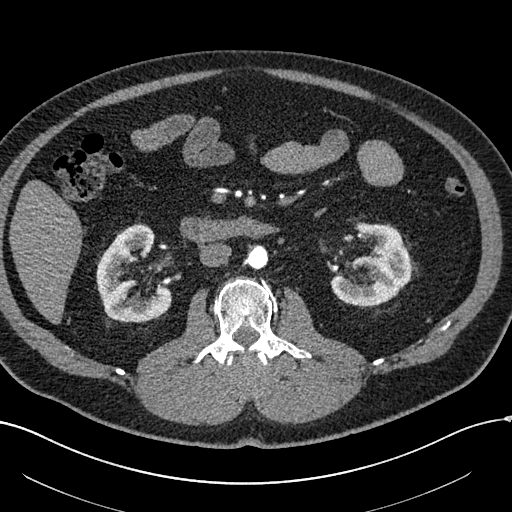
Axial slice 307 of 602 of a contrast-enhanced abdominal CT in the arterial phase (slice 1 is the lowest), 120 kVp, kernel I30f; 1.00 mm slice thickness and 0.799 mm pixels.
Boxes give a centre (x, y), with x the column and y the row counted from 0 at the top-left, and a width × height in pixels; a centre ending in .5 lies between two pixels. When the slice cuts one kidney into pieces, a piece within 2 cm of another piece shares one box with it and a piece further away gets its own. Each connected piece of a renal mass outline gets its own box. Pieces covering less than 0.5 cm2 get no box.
Two boxes on this slice (two kidney boxes), listed by box centre from the image's left to its right. (1) Right kidney in a box with centre (133.5, 273), 76 × 99 pixels (outlined area 4,695 px, about 30.0 cm2). (2) Box centre (370, 264), 83 × 85 pixels: left kidney (outlined area 4,465 px, about 28.5 cm2). No renal mass is outlined on this slice.